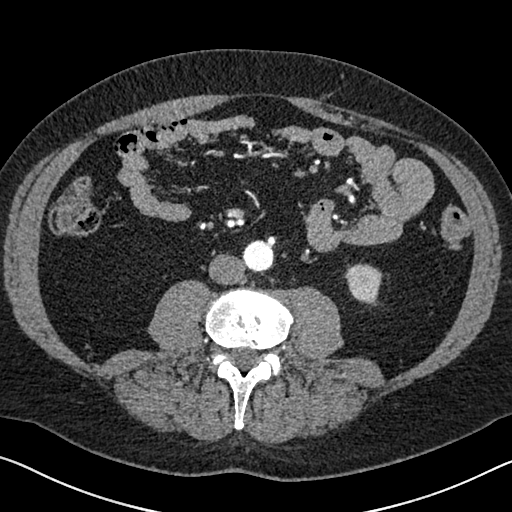
One axial slice (285 of 626, counting up from the lowest) of an arterial-phase abdominal CT acquired with 120 kVp, kernel I30f; each pixel is 0.703 mm and the slice is 1.00 mm thick.
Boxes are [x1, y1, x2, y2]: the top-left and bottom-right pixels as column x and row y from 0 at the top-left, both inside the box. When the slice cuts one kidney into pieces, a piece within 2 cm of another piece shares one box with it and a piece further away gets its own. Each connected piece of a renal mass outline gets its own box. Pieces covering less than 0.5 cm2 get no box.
Left kidney, box [345, 263, 382, 304] (outlined area 1,160 px, about 5.7 cm2). No renal mass outline on this slice.